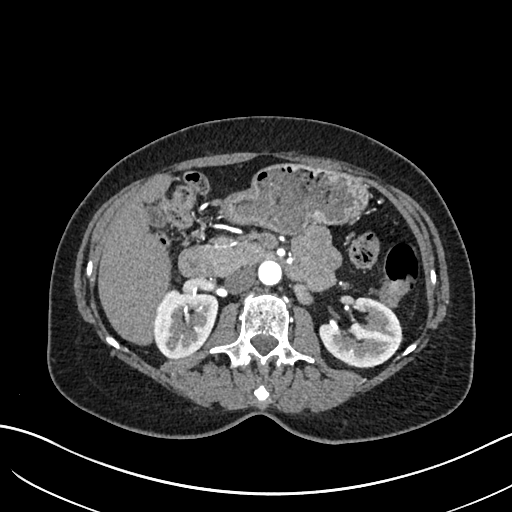
One axial slice (381 of 683, counting up from the lowest) of an arterial-phase abdominal CT acquired with 120 kVp, kernel I30f; each pixel is 0.738 mm and the slice is 1.00 mm thick.
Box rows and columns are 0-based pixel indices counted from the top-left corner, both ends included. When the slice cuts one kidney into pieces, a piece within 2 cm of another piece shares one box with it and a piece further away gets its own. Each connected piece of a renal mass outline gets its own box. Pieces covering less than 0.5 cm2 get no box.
Boxed on this slice (two kidney boxes), listed by box centre from the image's left to its right: (1) Right kidney at rows 288–359, columns 153–218 (outlined area 3,536 px, about 19.3 cm2). (2) Box rows 297–368, columns 319–401: left kidney (outlined area 4,044 px, about 22.0 cm2). No renal mass is outlined on this slice.